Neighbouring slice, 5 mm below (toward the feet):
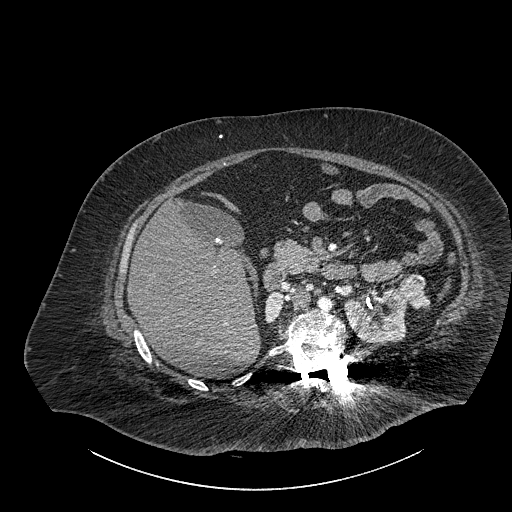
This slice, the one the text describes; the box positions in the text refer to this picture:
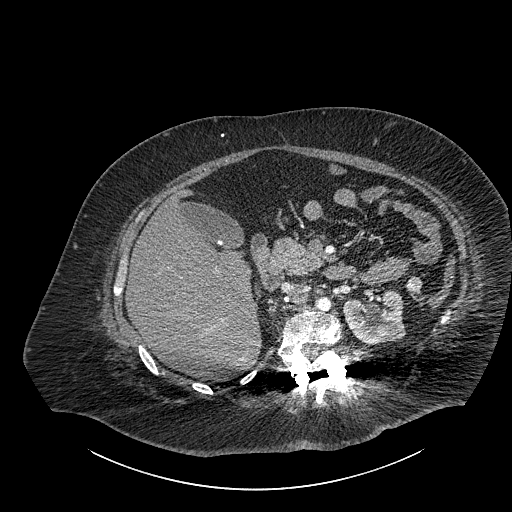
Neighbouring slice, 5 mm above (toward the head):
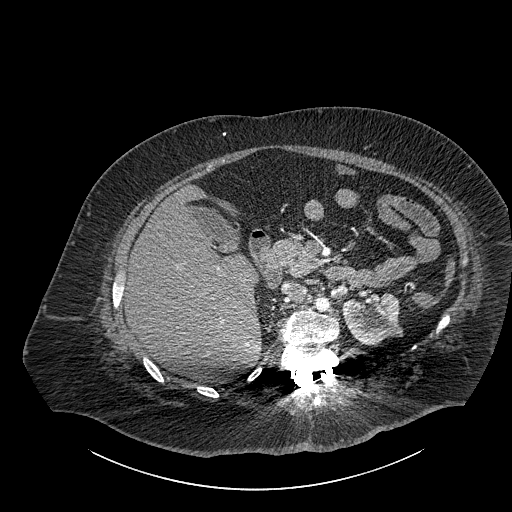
Abdominal CT with intravenous contrast, axial plane, 140 kVp, kernel I30f. Slice 576/834 from the bottom of the scan; thickness 1.00 mm; pixel size 0.977 mm.
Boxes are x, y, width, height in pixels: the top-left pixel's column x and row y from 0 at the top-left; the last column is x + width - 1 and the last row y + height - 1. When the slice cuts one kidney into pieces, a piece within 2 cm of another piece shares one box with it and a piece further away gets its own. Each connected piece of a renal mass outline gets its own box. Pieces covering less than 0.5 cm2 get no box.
Boxed on this slice (one kidney box and one renal mass box), listed by box centre from the image's left to its right: (1) Left part of the midline-crossing kidney at x 343, y 289, width 64, height 56 (outlined area 2,646 px, about 25.2 cm2). (2) Renal mass at x 405, y 276, width 18, height 17 (outlined area 226 px, about 2.2 cm2). This slice is near the end of a renal mass toward the head, so the slices 5 mm below and 5 mm above it are shown as well; the boxes refer to this slice only.